Abdominal CT with intravenous contrast, arterial phase, axial plane, 120 kVp, kernel B20f. Slice 592/719 from the bottom of the scan; thickness 1.00 mm; pixel size 0.766 mm.
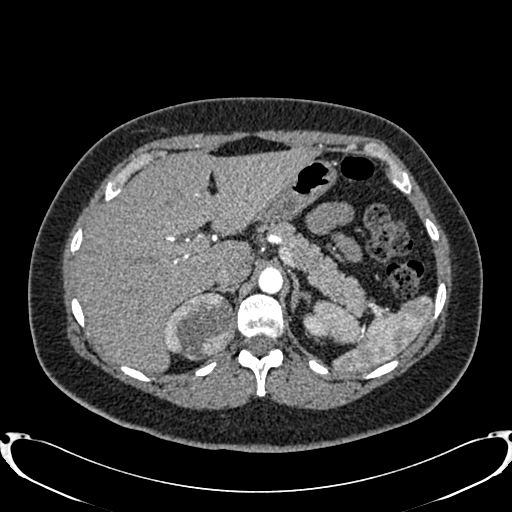
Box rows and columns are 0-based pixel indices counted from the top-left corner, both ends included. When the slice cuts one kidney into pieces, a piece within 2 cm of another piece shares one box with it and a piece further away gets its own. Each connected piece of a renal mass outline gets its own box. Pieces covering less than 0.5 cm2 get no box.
Boxed on this slice (two kidney boxes and one renal mass box), listed by box centre from the image's left to its right: (1) Right kidney, box rows 315–353, columns 164–175 (outlined area 130 px, about 0.8 cm2). (2) Box rows 291–360, columns 167–234: right renal mass (outlined area 3,580 px, about 21.0 cm2). (3) Box rows 313–337, columns 303–326: left kidney (outlined area 445 px, about 2.6 cm2).